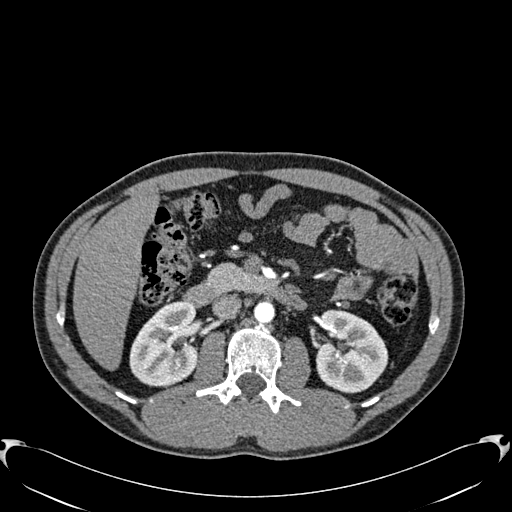
Arterial-phase contrast-enhanced abdominal CT, axial slice 352 of 512 (counted from the lowest slice); tube voltage 120 kVp, convolution kernel B30f; slices 1.00 mm thick, 0.771 mm per pixel.
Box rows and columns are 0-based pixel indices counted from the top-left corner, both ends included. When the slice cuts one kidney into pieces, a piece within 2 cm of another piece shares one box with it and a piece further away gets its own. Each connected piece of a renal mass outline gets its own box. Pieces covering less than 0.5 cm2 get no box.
Two boxes on this slice (two kidney boxes), listed by box centre from the image's left to its right. (1) Right kidney at rows 301–386, columns 129–198 (outlined area 4,552 px, about 27.1 cm2). (2) Box rows 310–393, columns 315–388: left kidney (outlined area 4,645 px, about 27.6 cm2). This slice carries no renal mass outline.